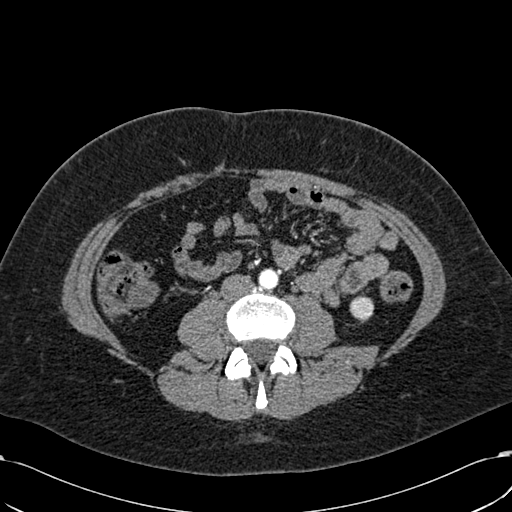
Axial slice 248 of 532 of a contrast-enhanced abdominal CT in the arterial phase (slice 1 is the lowest), 120 kVp, kernel B30f; 1.00 mm slice thickness and 0.713 mm pixels.
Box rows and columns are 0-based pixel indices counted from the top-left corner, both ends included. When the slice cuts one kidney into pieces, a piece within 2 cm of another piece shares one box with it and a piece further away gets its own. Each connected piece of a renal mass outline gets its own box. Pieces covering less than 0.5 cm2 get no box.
Left kidney, box rows 295–320, columns 349–374 (outlined area 498 px, about 2.5 cm2). This slice carries no renal mass outline.